One axial slice (446 of 787, counting up from the lowest) of a contrast-enhanced abdominal CT acquired with 140 kVp, kernel I30f; each pixel is 0.910 mm and the slice is 1.00 mm thick.
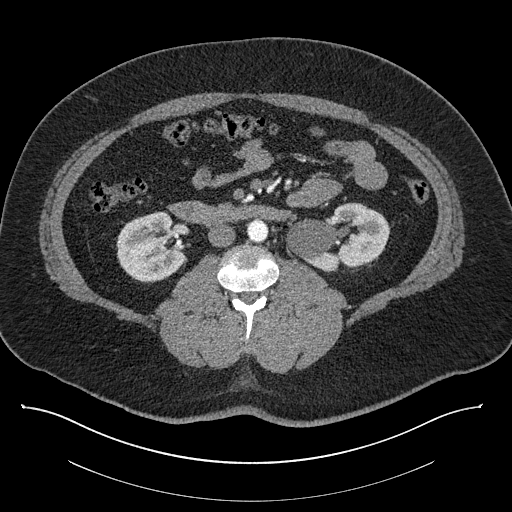
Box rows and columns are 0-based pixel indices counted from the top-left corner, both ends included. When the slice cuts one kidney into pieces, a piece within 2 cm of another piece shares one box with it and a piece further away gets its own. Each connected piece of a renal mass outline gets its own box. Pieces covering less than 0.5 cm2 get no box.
Two boxes on this slice (two kidney boxes), listed by box centre from the image's left to its right. (1) Box rows 211–281, columns 116–185: right kidney (outlined area 3,726 px, about 30.9 cm2). (2) Left kidney, box rows 202–270, columns 286–389 (outlined area 4,759 px, about 39.4 cm2). No renal mass outline on this slice.